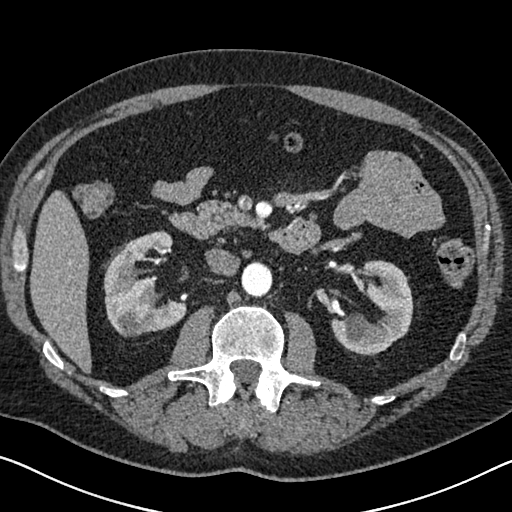
One axial slice (390 of 626, counting up from the lowest) of an arterial-phase abdominal CT acquired with 120 kVp, kernel I30f; each pixel is 0.703 mm and the slice is 1.00 mm thick.
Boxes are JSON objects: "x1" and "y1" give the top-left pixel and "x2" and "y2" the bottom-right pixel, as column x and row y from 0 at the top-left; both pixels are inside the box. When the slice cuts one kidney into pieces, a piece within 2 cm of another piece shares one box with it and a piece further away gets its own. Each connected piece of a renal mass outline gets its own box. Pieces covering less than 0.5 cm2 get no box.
Boxed on this slice (two kidney boxes), listed by box centre from the image's left to its right: (1) Right kidney, box {"x1": 103, "y1": 230, "x2": 186, "y2": 337} (outlined area 5,614 px, about 27.8 cm2). (2) Box {"x1": 330, "y1": 260, "x2": 413, "y2": 354}: left kidney (outlined area 4,827 px, about 23.9 cm2). No renal mass is outlined on this slice.